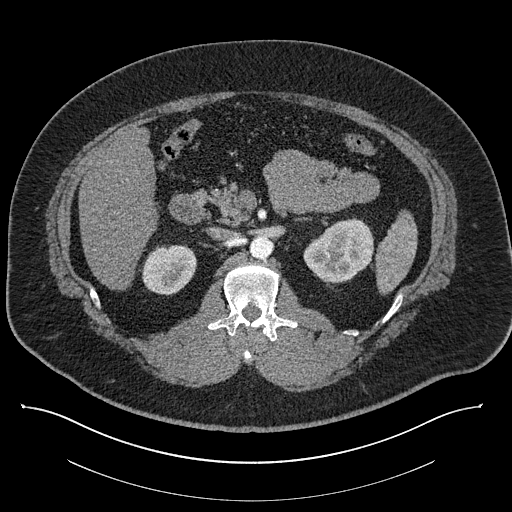
Abdominal CT with intravenous contrast, axial plane, 140 kVp, kernel I30f. Slice 527/787 from the bottom of the scan; thickness 1.00 mm; pixel size 0.910 mm.
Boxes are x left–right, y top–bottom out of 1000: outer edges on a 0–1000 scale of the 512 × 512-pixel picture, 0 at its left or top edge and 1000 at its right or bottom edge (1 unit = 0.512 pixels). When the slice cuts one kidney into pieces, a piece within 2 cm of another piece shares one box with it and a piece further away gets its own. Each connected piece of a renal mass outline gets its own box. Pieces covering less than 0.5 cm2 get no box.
Two boxes on this slice (two kidney boxes), listed by box centre from the image's left to its right. (1) Right kidney, box x 271–385, y 479–578 out of 1000 (outlined area 2,228 px, about 18.5 cm2). (2) Left kidney at x 592–730, y 426–553 out of 1000 (outlined area 3,346 px, about 27.7 cm2). This slice carries no renal mass outline.